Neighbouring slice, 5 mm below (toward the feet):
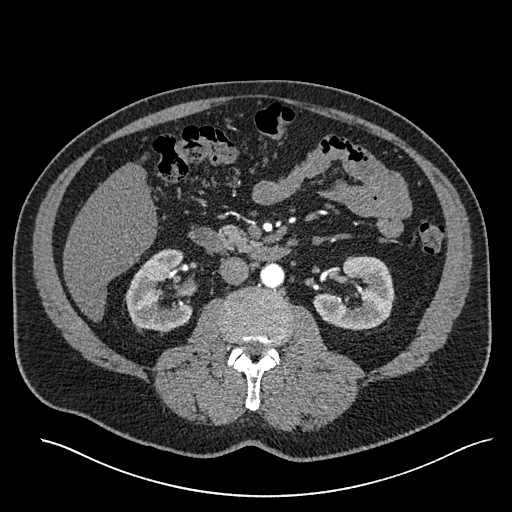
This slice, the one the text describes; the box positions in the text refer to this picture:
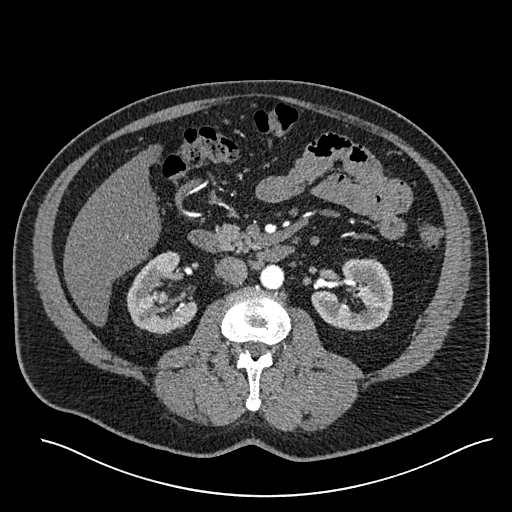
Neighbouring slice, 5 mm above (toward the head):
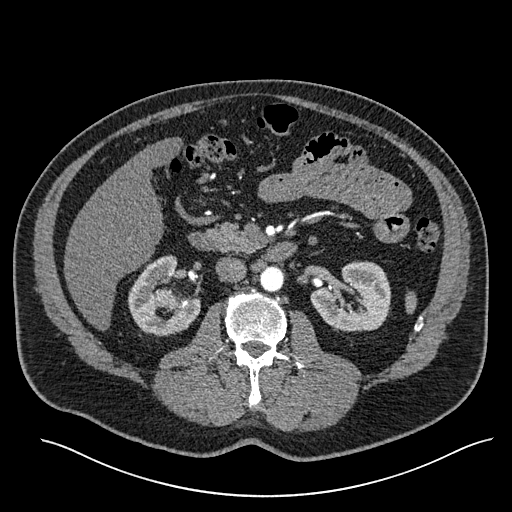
Arterial-phase contrast-enhanced abdominal CT, axial slice 316 of 527 (counted from the lowest slice); tube voltage 120 kVp, convolution kernel I30f; slices 1.00 mm thick, 0.859 mm per pixel.
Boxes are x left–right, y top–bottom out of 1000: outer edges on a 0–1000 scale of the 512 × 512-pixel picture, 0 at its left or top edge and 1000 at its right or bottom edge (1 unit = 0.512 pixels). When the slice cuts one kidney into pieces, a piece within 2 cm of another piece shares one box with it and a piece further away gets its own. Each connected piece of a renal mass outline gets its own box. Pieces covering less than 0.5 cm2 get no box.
Two kidney boxes and one renal mass box on this slice; by box centre, from the image's left to its right: (1) Box x 246–387, y 490–654 out of 1000: right kidney (outlined area 3,788 px, about 28.0 cm2). (2) Right renal mass, box x 307–330, y 566–592 out of 1000 (outlined area 122 px, about 0.9 cm2). (3) Left kidney at x 607–770, y 504–646 out of 1000 (outlined area 4,215 px, about 31.1 cm2). This slice is near the end of the right renal mass toward the feet, so the slices 5 mm below and 5 mm above it are shown as well; the boxes refer to this slice only.